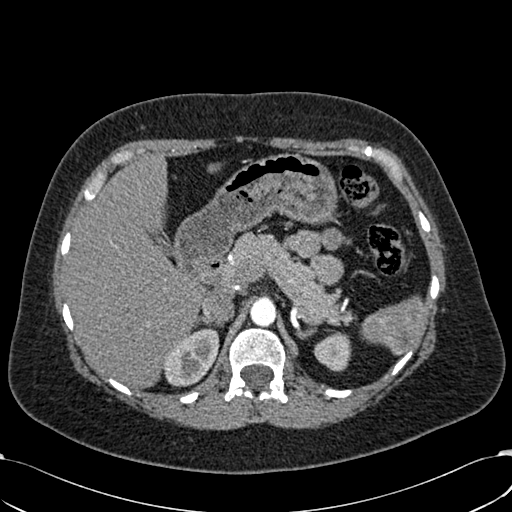
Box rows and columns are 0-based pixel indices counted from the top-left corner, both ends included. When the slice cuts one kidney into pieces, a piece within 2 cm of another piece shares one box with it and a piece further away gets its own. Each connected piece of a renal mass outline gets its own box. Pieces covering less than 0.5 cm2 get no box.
This is axial slice 441 of 532 (slice 1 is the lowest) of an arterial-phase abdominal CT with contrast; each pixel is 0.713 mm and the slice is 1.00 mm thick. Two boxes on this slice (two kidney boxes), listed by box centre from the image's left to its right. (1) Right kidney, box rows 327–387, columns 163–219 (outlined area 2,356 px, about 12.0 cm2). (2) Left kidney, box rows 331–371, columns 313–351 (outlined area 1,112 px, about 5.7 cm2). No renal mass is outlined on this slice.
Tube voltage 120 kVp; convolution kernel B30f.